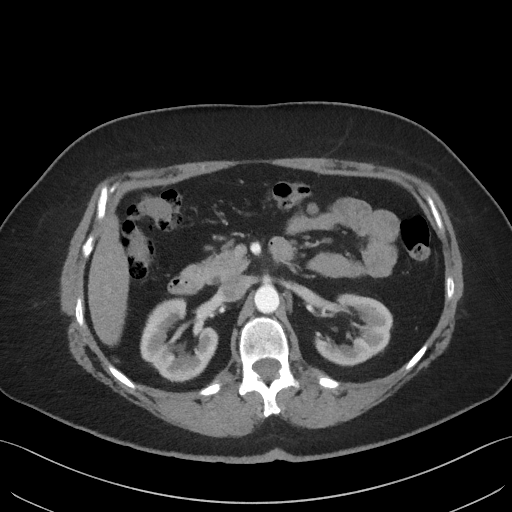
One axial slice (33 of 69, counting up from the lowest) of a contrast-enhanced abdominal CT acquired with 140 kVp, kernel I41f; each pixel is 0.736 mm and the slice is 3.00 mm thick.
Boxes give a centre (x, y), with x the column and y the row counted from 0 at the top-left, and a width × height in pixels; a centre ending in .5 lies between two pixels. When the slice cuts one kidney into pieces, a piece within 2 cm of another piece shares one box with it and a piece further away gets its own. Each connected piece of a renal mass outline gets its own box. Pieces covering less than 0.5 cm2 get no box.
Two boxes on this slice (two kidney boxes), listed by box centre from the image's left to its right. (1) Right kidney, box centre (178.5, 340), 78 × 85 pixels (outlined area 4,289 px, about 23.3 cm2). (2) Left kidney, box centre (352.5, 329.5), 80 × 74 pixels (outlined area 3,451 px, about 18.7 cm2). No renal mass is outlined on this slice.